Abdominal CT with intravenous contrast, axial plane, 120 kVp, kernel I41f. Slice 99/153 from the bottom of the scan; thickness 3.00 mm; pixel size 0.893 mm.
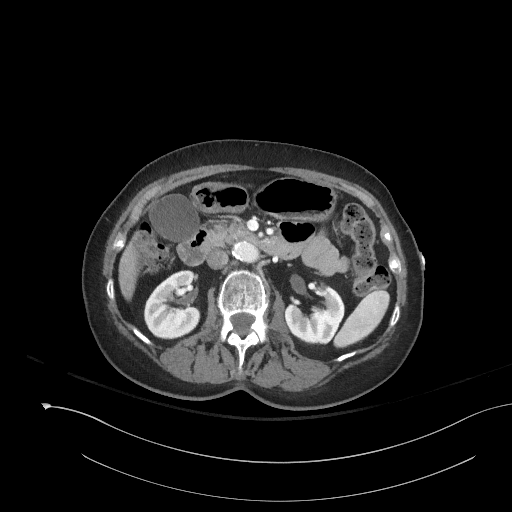
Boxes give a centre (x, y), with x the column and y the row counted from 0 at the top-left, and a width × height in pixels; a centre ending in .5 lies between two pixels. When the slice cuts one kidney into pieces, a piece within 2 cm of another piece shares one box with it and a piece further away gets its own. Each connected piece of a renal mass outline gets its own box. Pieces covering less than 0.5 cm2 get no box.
Two boxes on this slice (two kidney boxes), listed by box centre from the image's left to its right. (1) Box centre (171.5, 304.5), 58 × 70 pixels: right kidney (outlined area 2,996 px, about 23.9 cm2). (2) Left kidney in a box with centre (314.5, 312.5), 60 × 64 pixels (outlined area 2,566 px, about 20.4 cm2). This slice carries no renal mass outline.